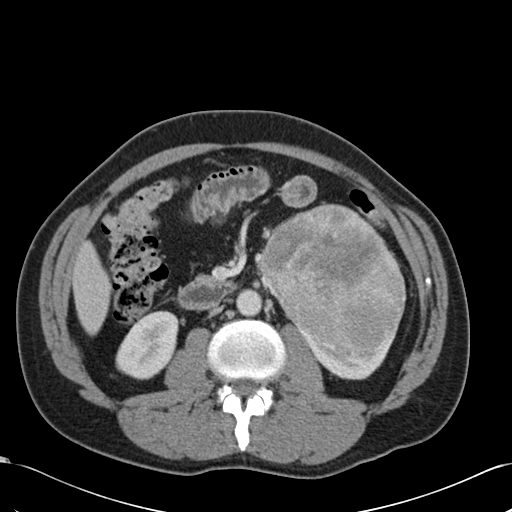
Arterial-phase contrast-enhanced abdominal CT, axial slice 59 of 99 (counted from the lowest slice); tube voltage 120 kVp, convolution kernel B30f; slices 5.00 mm thick, 0.693 mm per pixel.
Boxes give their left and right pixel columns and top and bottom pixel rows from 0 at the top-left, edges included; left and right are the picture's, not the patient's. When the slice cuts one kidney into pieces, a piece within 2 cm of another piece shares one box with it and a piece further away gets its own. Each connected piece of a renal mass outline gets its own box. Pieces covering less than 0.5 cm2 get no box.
Boxed on this slice (two kidney boxes and one renal mass box), listed by box centre from the image's left to its right: (1) Box with left 115, top 310, right 179, bottom 379: right kidney (outlined area 3,184 px, about 15.3 cm2). (2) Left renal mass in the box with left 259, top 204, right 406, bottom 364 (outlined area 16,571 px, about 79.7 cm2). (3) Left kidney, the box with left 299, top 330, right 395, bottom 379 (outlined area 1,279 px, about 6.1 cm2).